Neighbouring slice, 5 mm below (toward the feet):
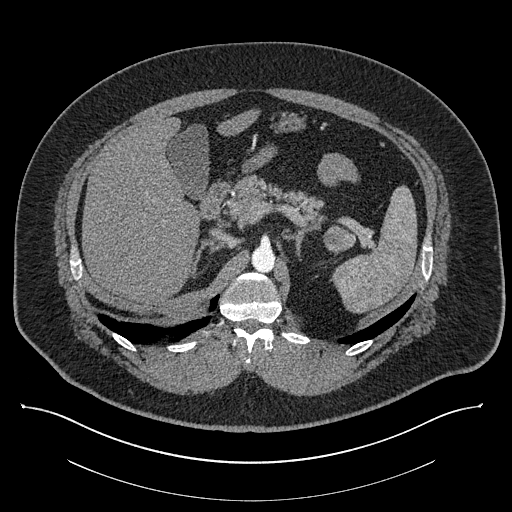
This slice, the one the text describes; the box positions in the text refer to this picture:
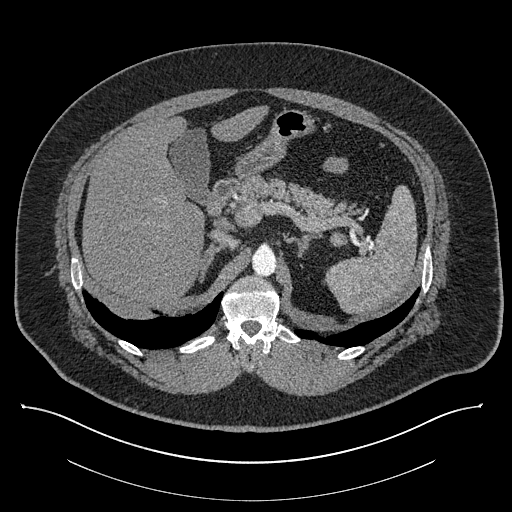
One axial slice (586 of 787, counting up from the lowest) of a contrast-enhanced abdominal CT acquired with 140 kVp, kernel I30f; each pixel is 0.910 mm and the slice is 1.00 mm thick.
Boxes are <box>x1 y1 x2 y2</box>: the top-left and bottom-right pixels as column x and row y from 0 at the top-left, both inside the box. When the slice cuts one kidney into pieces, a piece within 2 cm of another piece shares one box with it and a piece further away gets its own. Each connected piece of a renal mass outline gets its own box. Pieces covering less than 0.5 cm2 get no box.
Left renal mass: <box>330 231 347 247</box> (outlined area 223 px, about 1.8 cm2); no kidney is outlined on this slice, but the same outlined renal mass comes within 1 cm of the kidney on another slice. This slice lies near the end of the left renal mass toward the head; the slice 5 mm below it is shown too, and the boxes mark positions on this slice only.